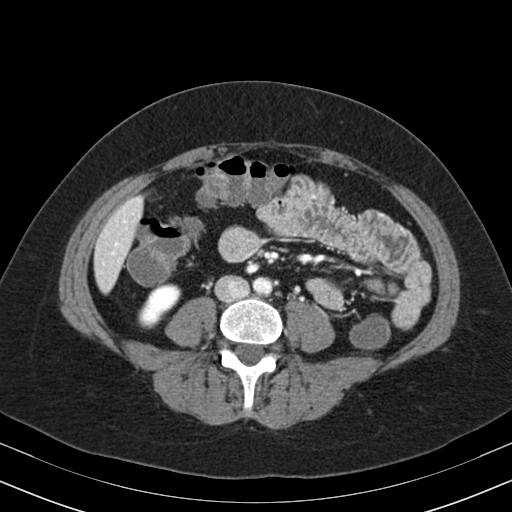
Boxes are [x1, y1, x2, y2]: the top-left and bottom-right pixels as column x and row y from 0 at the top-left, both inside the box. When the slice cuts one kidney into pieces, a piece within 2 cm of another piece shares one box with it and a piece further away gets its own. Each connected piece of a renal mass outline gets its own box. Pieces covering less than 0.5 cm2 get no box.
Slice 90/164 of a contrast-enhanced abdominal CT in the arterial phase, counting up from the lowest; pixel size 0.664 mm, slice thickness 3.00 mm. Right kidney at [138, 283, 181, 328] (outlined area 1,232 px, about 5.4 cm2). This slice carries no renal mass outline.
Scan settings: 130 kVp, B30s reconstruction kernel.